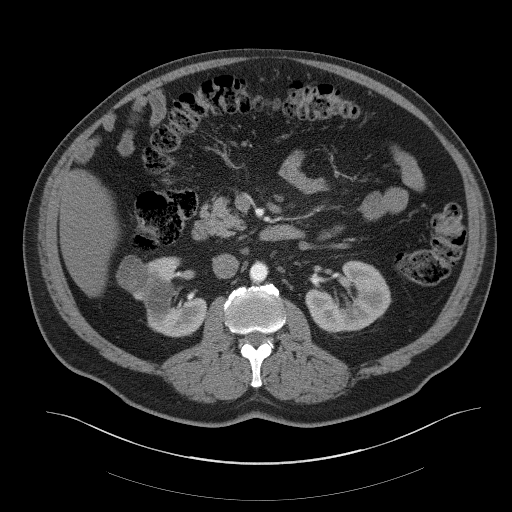
Axial slice 25 of 61 of a contrast-enhanced abdominal CT (slice 1 is the lowest), 140 kVp, kernel B41f; 3.00 mm slice thickness and 0.939 mm pixels.
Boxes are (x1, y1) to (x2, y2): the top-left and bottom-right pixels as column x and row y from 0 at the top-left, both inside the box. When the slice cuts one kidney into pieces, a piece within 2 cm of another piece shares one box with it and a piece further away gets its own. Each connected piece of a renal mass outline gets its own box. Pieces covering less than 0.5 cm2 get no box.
Two kidney boxes and one renal mass box on this slice; by box centre, from the image's left to its right: (1) Right renal mass from (116, 255) to (148, 293) (outlined area 918 px, about 8.1 cm2). (2) Box (132, 256) to (206, 337): right kidney (outlined area 3,649 px, about 32.2 cm2). (3) Box (305, 260) to (391, 332): left kidney (outlined area 4,242 px, about 37.4 cm2).